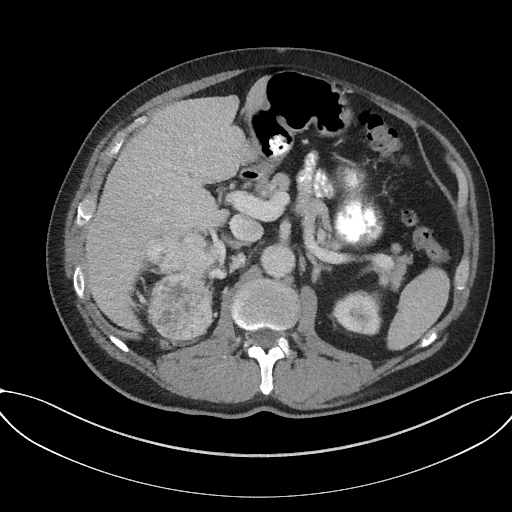
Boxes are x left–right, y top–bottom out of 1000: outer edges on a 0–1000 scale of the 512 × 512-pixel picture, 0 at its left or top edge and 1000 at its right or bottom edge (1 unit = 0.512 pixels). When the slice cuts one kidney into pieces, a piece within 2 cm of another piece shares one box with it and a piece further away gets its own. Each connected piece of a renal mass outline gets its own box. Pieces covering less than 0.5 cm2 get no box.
This is axial slice 106 of 227 (slice 1 is the lowest) of an arterial-phase abdominal CT with contrast; each pixel is 0.816 mm and the slice is 3.00 mm thick. Boxed on this slice (one kidney box and one renal mass box), listed by box centre from the image's left to its right: (1) Box x 281–426, y 451–666 out of 1000: right renal mass (outlined area 6,271 px, about 41.8 cm2); it sits over 1 cm from every kidney outline on this slice, but the same outlined renal mass comes within 1 cm of the kidney on another slice. (2) Box x 650–744, y 568–654 out of 1000: left kidney (outlined area 1,588 px, about 10.6 cm2).
Tube voltage 120 kVp; convolution kernel I31f.